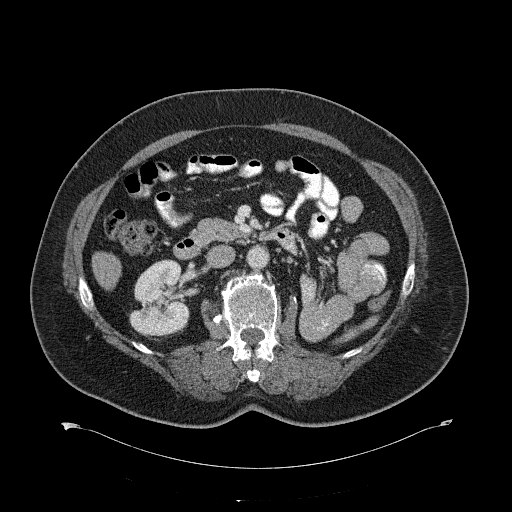
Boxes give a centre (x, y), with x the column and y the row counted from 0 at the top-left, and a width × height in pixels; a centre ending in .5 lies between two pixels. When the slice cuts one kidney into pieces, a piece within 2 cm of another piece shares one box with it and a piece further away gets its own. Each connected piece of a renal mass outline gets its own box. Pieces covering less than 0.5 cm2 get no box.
Slice 361/734 of a contrast-enhanced abdominal CT, counting up from the lowest; pixel size 0.971 mm, slice thickness 2.00 mm. Right kidney in a box with centre (159.5, 297.5), 62 × 78 pixels (outlined area 3,500 px, about 33.0 cm2). No renal mass outline on this slice.
Scan settings: 120 kVp, B31f reconstruction kernel.